Abdominal CT with intravenous contrast, arterial phase, axial plane, 120 kVp, kernel I30f. Slice 282/527 from the bottom of the scan; thickness 1.00 mm; pixel size 0.859 mm.
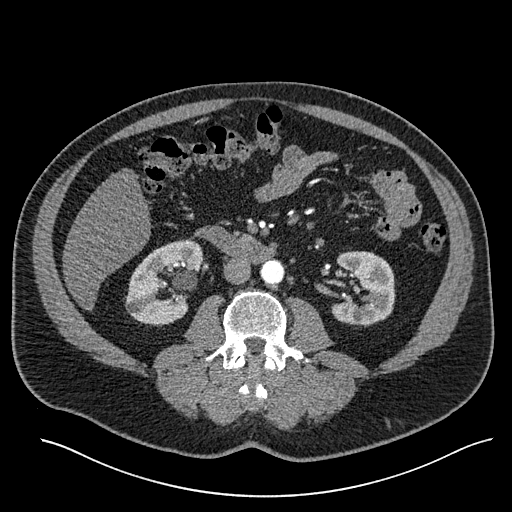
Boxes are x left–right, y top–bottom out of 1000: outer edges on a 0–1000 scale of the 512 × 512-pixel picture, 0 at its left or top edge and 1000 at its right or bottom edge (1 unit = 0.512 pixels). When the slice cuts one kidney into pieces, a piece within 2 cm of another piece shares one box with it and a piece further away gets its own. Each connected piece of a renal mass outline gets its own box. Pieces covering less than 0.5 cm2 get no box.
Two kidney boxes on this slice; by box centre, from the image's left to its right: (1) Right kidney at x 244–395, y 467–633 out of 1000 (outlined area 4,489 px, about 33.2 cm2). (2) Box x 646–773, y 490–639 out of 1000: left kidney (outlined area 3,751 px, about 27.7 cm2). No renal mass outline on this slice.